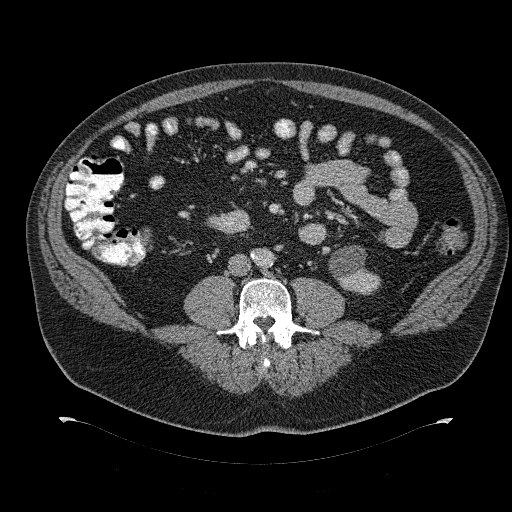
One axial slice (150 of 274, counting up from the lowest) of a contrast-enhanced abdominal CT acquired with 120 kVp, kernel B31f; each pixel is 0.977 mm and the slice is 2.00 mm thick.
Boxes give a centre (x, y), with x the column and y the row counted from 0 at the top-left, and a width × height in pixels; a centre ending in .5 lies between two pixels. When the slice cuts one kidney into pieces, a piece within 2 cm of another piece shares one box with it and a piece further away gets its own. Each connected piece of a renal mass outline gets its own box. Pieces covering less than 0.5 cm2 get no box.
Left kidney in a box with centre (354.5, 270), 52 × 51 pixels (outlined area 1,705 px, about 16.3 cm2). No renal mass outline on this slice.